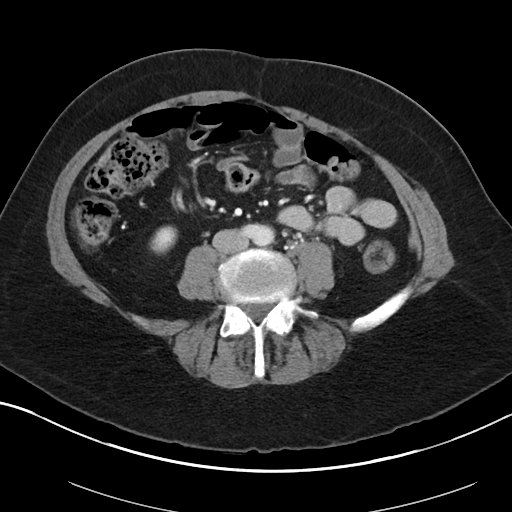
Axial slice 42 of 88 of a contrast-enhanced abdominal CT in the arterial phase (slice 1 is the lowest), 100 kVp, kernel I40f; 5.00 mm slice thickness and 0.705 mm pixels.
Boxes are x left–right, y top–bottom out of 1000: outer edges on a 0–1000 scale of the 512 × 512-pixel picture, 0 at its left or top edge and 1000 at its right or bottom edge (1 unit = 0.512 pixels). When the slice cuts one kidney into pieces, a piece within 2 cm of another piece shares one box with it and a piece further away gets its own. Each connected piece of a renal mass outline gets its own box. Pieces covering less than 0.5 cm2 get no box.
Right kidney, box x 291–348, y 439–498 out of 1000 (outlined area 592 px, about 2.9 cm2). No renal mass outline on this slice.